Abdominal CT with intravenous contrast, arterial phase, axial plane, 120 kVp, kernel I30f. Slice 385/612 from the bottom of the scan; thickness 1.00 mm; pixel size 0.703 mm.
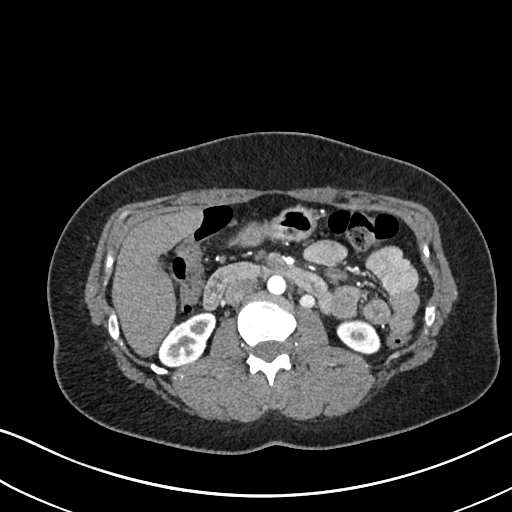
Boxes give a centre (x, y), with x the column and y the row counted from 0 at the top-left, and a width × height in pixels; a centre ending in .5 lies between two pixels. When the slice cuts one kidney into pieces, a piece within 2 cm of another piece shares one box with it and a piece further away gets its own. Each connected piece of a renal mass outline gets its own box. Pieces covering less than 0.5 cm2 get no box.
Boxed on this slice (two kidney boxes), listed by box centre from the image's left to its right: (1) Right kidney in a box with centre (186.5, 338.5), 58 × 56 pixels (outlined area 2,052 px, about 10.1 cm2). (2) Box centre (358, 335.5), 45 × 34 pixels: left kidney (outlined area 1,162 px, about 5.7 cm2). This slice carries no renal mass outline.